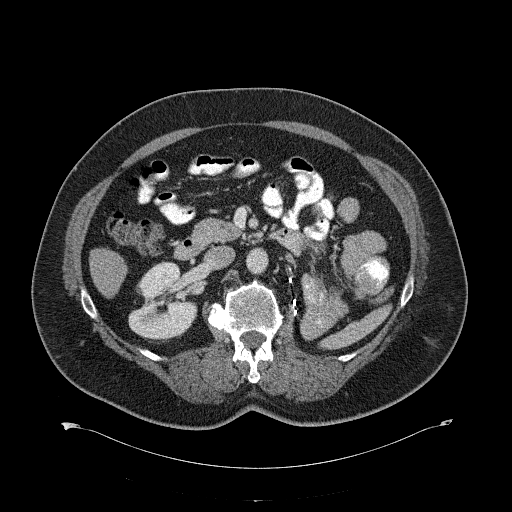
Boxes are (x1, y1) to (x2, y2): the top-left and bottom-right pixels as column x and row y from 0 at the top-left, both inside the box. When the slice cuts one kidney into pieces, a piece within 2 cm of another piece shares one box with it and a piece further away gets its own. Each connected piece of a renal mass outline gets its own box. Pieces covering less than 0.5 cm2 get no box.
Slice 367/734 of a contrast-enhanced abdominal CT, counting up from the lowest; pixel size 0.971 mm, slice thickness 2.00 mm. Right kidney from (128, 261) to (197, 342) (outlined area 3,855 px, about 36.3 cm2). This slice carries no renal mass outline.
Scan settings: 120 kVp, B31f reconstruction kernel.